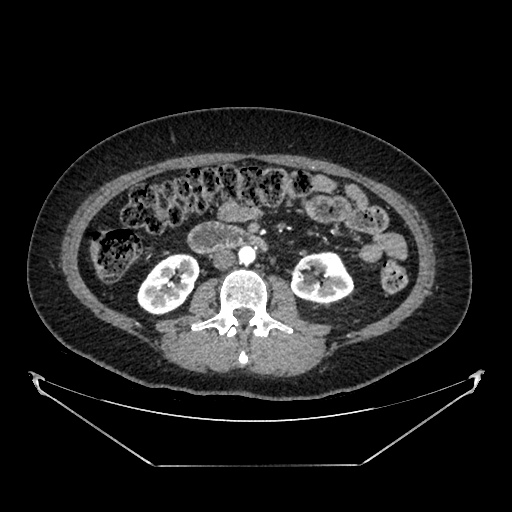
Abdominal CT with intravenous contrast, arterial phase, axial plane, 100 kVp, kernel SOFT. Slice 207/383 from the bottom of the scan; thickness 1.25 mm; pixel size 0.898 mm.
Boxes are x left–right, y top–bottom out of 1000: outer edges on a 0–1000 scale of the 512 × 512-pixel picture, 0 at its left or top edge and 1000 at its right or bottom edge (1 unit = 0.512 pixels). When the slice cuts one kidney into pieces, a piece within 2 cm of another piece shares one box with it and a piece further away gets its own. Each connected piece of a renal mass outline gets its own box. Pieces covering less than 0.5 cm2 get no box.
Boxed on this slice (two kidney boxes), listed by box centre from the image's left to its right: (1) Box x 266–393, y 494–617 out of 1000: right kidney (outlined area 2,738 px, about 22.1 cm2). (2) Left kidney at x 566–691, y 490–594 out of 1000 (outlined area 2,571 px, about 20.8 cm2). This slice carries no renal mass outline.